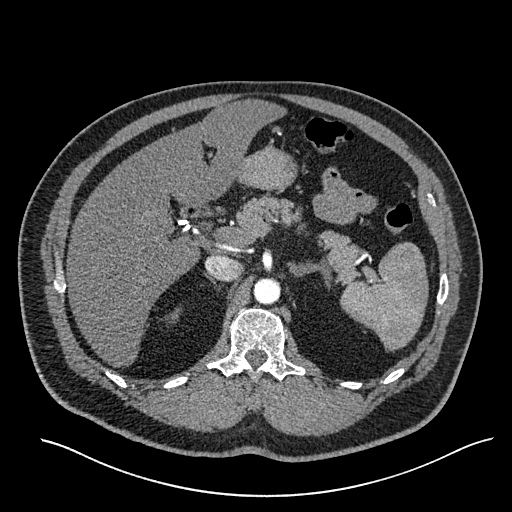
One axial slice (412 of 527, counting up from the lowest) of an arterial-phase abdominal CT acquired with 120 kVp, kernel I30f; each pixel is 0.859 mm and the slice is 1.00 mm thick.
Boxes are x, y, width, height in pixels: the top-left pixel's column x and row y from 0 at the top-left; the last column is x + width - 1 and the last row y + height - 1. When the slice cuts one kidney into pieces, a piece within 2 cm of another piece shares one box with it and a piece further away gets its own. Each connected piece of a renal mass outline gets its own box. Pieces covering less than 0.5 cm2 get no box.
Right kidney, box x 172, y 308, width 10, height 12 (outlined area 74 px, about 0.5 cm2). This slice carries no renal mass outline.